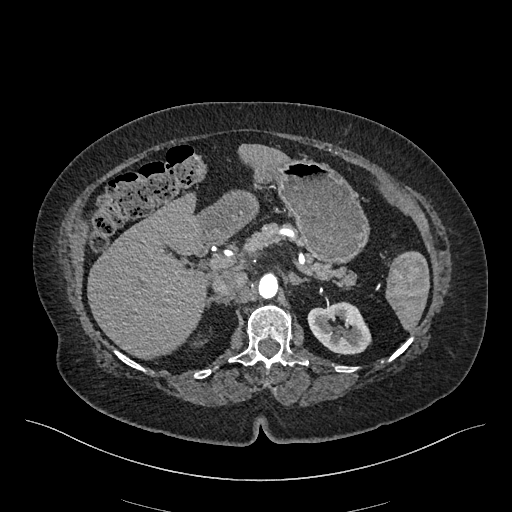
Abdominal CT with intravenous contrast, arterial phase, axial plane, 120 kVp, kernel I26f. Slice 319/548 from the bottom of the scan; thickness 1.00 mm; pixel size 0.852 mm.
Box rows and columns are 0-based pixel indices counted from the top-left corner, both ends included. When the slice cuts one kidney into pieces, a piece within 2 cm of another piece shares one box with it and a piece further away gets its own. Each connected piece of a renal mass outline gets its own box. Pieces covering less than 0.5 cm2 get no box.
Left kidney, box rows 301–354, columns 307–371 (outlined area 2,441 px, about 17.7 cm2). No renal mass outline on this slice.